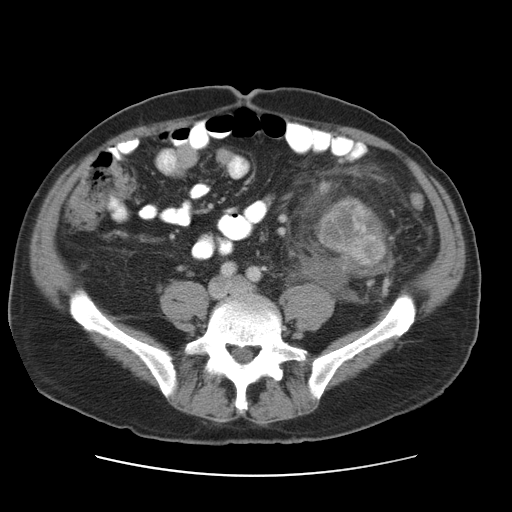
One axial slice (42 of 95, counting up from the lowest) of a contrast-enhanced abdominal CT acquired with 120 kVp, kernel STANDARD; each pixel is 0.781 mm and the slice is 5.00 mm thick.
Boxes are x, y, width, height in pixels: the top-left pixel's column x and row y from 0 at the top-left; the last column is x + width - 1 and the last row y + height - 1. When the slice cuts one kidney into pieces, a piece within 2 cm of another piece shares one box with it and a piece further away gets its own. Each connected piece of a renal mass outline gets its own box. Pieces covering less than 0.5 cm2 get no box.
Left renal mass, box x 314, y 195, width 75, height 73 (outlined area 3,592 px, about 21.9 cm2); no kidney is outlined on this slice, but the same outlined renal mass comes within 1 cm of the kidney on another slice.